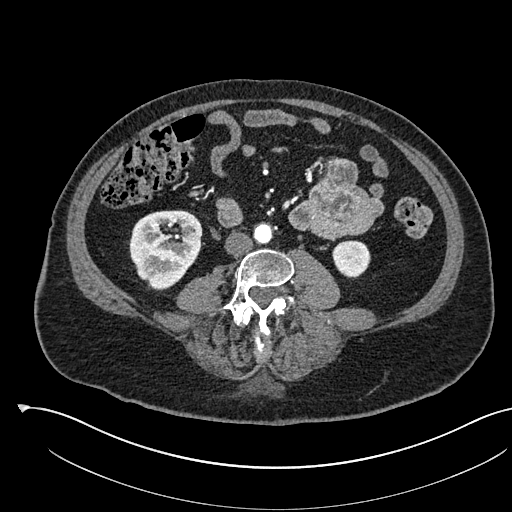
One axial slice (229 of 541, counting up from the lowest) of an arterial-phase abdominal CT acquired with 120 kVp, kernel I30f; each pixel is 0.834 mm and the slice is 1.00 mm thick.
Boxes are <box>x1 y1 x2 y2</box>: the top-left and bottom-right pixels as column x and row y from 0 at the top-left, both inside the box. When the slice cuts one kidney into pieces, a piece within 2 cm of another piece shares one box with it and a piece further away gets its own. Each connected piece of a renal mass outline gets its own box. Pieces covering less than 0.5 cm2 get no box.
Boxed on this slice (two kidney boxes), listed by box centre from the image's left to its right: (1) Right kidney: <box>129 210 202 290</box> (outlined area 4,462 px, about 31.0 cm2). (2) Left kidney: <box>332 240 370 277</box> (outlined area 1,159 px, about 8.1 cm2).